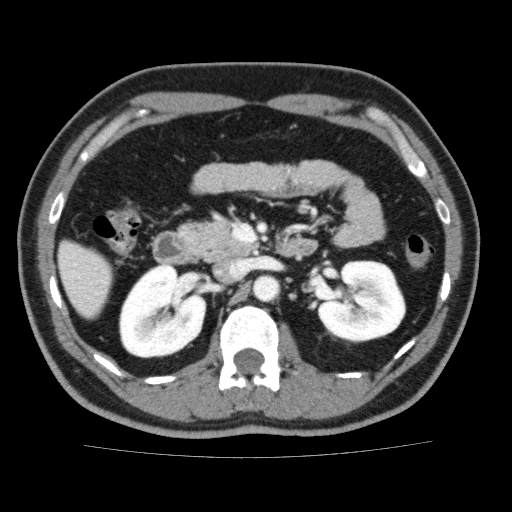
Contrast-enhanced abdominal CT, axial slice 107 of 159 (counted from the lowest slice); tube voltage 120 kVp, convolution kernel FC13; slices 3.00 mm thick, 0.668 mm per pixel.
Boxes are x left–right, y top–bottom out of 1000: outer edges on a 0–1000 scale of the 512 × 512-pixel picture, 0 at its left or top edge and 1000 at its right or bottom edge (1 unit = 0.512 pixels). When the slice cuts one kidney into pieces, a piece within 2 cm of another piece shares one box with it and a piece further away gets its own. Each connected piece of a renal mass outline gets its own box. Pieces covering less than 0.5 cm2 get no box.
Two kidney boxes on this slice; by box centre, from the image's left to its right: (1) Right kidney at x 230–404, y 516–701 out of 1000 (outlined area 6,252 px, about 27.9 cm2). (2) Box x 621–795, y 508–668 out of 1000: left kidney (outlined area 5,495 px, about 24.5 cm2). This slice carries no renal mass outline.